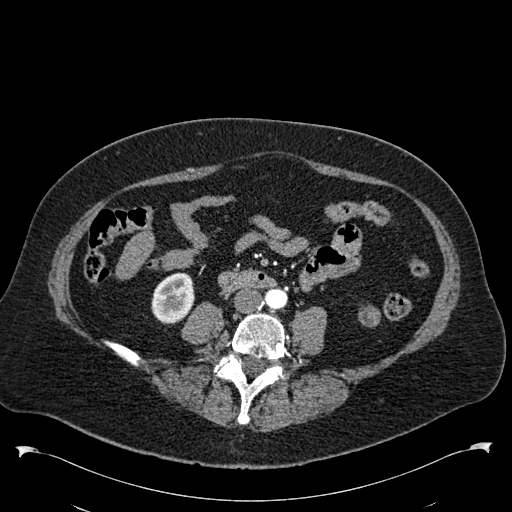
Axial slice 215 of 538 of a contrast-enhanced abdominal CT in the arterial phase (slice 1 is the lowest), 120 kVp, kernel B30f; 1.00 mm slice thickness and 0.811 mm pixels.
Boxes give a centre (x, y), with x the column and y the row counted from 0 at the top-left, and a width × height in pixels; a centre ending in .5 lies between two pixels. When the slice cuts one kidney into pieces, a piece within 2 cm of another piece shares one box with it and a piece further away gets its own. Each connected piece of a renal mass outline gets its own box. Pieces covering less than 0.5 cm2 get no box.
Two boxes on this slice (one kidney box and one renal mass box), listed by box centre from the image's left to its right. (1) Right kidney in a box with centre (172.5, 298), 44 × 53 pixels (outlined area 1,767 px, about 11.6 cm2). (2) Left renal mass in a box with centre (369, 316), 23 × 23 pixels (outlined area 403 px, about 2.6 cm2); it sits over 1 cm from every kidney outline on this slice, but the same outlined renal mass comes within 1 cm of the kidney on another slice.